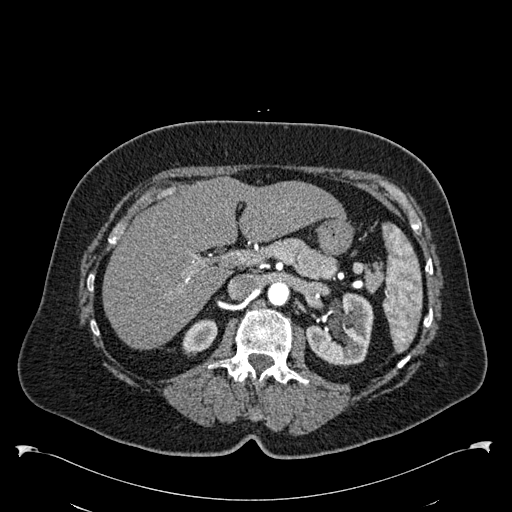
Arterial-phase contrast-enhanced abdominal CT, axial slice 374 of 538 (counted from the lowest slice); tube voltage 120 kVp, convolution kernel B30f; slices 1.00 mm thick, 0.811 mm per pixel.
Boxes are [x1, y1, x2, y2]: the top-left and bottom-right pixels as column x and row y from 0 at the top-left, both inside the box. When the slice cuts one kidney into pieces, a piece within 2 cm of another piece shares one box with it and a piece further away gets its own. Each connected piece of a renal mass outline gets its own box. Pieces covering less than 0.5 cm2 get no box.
Two kidney boxes on this slice; by box centre, from the image's left to its right: (1) Right kidney at [182, 319, 217, 356] (outlined area 930 px, about 6.1 cm2). (2) Box [306, 292, 374, 366]: left kidney (outlined area 3,581 px, about 23.5 cm2). This slice carries no renal mass outline.